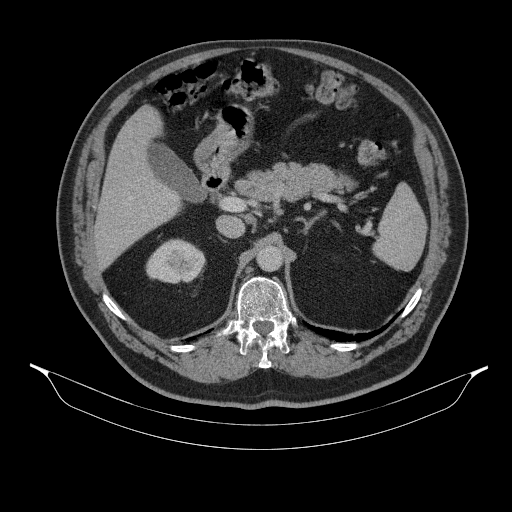
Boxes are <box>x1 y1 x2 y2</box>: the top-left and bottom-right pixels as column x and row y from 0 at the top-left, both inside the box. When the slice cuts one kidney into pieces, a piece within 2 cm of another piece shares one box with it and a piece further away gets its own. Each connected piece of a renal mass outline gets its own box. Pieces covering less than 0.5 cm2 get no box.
This is axial slice 229 of 314 (slice 1 is the lowest) of an abdominal CT with contrast; each pixel is 0.934 mm and the slice is 2.50 mm thick. Right kidney at <box>145 238 205 283</box> (outlined area 2,085 px, about 18.2 cm2). This slice carries no renal mass outline.
Tube voltage 130 kVp; convolution kernel B31s.